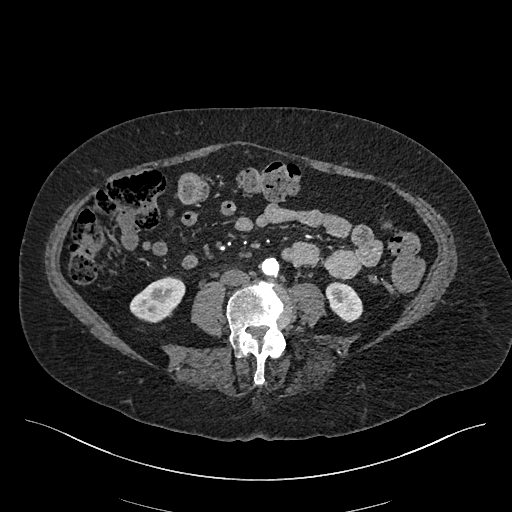
One axial slice (162 of 548, counting up from the lowest) of an arterial-phase abdominal CT acquired with 120 kVp, kernel I26f; each pixel is 0.852 mm and the slice is 1.00 mm thick.
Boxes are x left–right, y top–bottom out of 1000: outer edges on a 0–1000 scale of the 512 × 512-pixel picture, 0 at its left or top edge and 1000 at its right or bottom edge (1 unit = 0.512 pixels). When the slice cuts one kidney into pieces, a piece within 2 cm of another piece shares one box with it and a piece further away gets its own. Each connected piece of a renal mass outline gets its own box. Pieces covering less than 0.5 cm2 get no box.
Two boxes on this slice (two kidney boxes), listed by box centre from the image's left to its right. (1) Right kidney at x 252–363, y 539–631 out of 1000 (outlined area 1,764 px, about 12.8 cm2). (2) Left kidney, box x 635–711, y 549–631 out of 1000 (outlined area 1,098 px, about 8.0 cm2). No renal mass is outlined on this slice.